Abdominal CT with intravenous contrast, axial plane, 100 kVp, kernel I40f. Slice 347/439 from the bottom of the scan; thickness 2.00 mm; pixel size 0.850 mm.
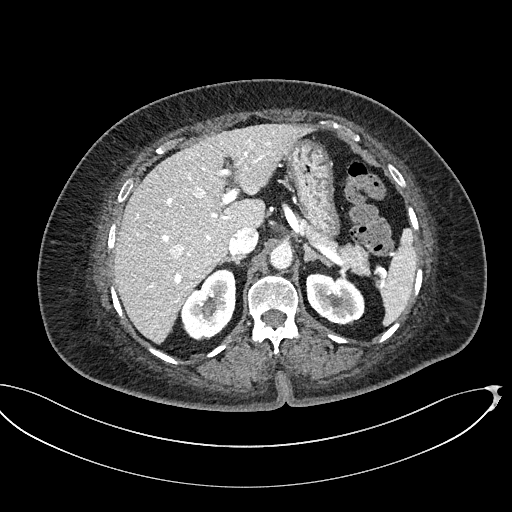
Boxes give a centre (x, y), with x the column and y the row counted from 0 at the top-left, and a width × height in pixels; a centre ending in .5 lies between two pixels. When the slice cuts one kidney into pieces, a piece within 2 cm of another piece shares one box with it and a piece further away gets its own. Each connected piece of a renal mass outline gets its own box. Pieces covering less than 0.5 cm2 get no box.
Two kidney boxes on this slice; by box centre, from the image's left to its right: (1) Box centre (208, 304), 57 × 73 pixels: right kidney (outlined area 2,889 px, about 20.9 cm2). (2) Left kidney, box centre (335, 298.5), 59 × 54 pixels (outlined area 2,360 px, about 17.0 cm2). This slice carries no renal mass outline.